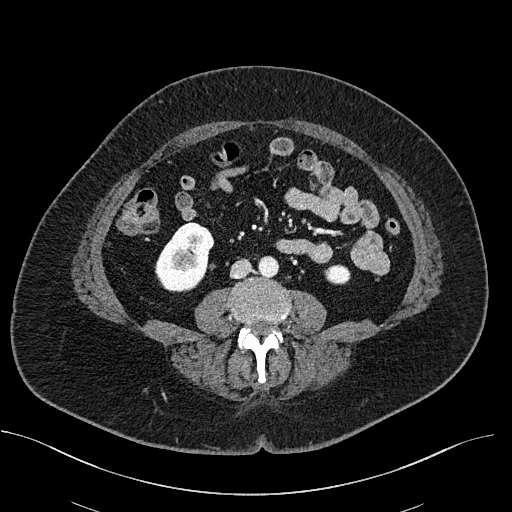
One axial slice (252 of 470, counting up from the lowest) of a contrast-enhanced abdominal CT acquired with 100 kVp, kernel I40f; each pixel is 0.824 mm and the slice is 2.00 mm thick.
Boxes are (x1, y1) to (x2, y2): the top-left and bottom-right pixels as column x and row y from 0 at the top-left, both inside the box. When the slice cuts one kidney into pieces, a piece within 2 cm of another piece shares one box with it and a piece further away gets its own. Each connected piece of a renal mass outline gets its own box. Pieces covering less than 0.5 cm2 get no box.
Boxed on this slice (two kidney boxes), listed by box centre from the image's left to its right: (1) Right kidney, box (155, 221) to (214, 292) (outlined area 2,937 px, about 20.0 cm2). (2) Left kidney from (324, 264) to (350, 284) (outlined area 428 px, about 2.9 cm2). No renal mass outline on this slice.